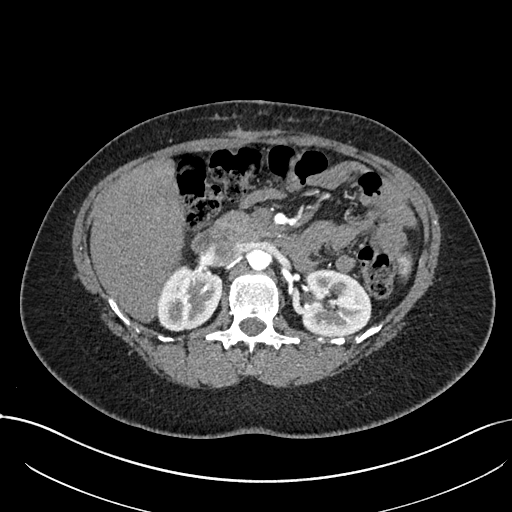
Arterial-phase contrast-enhanced abdominal CT, axial slice 455 of 738 (counted from the lowest slice); tube voltage 120 kVp, convolution kernel I30f; slices 1.00 mm thick, 0.789 mm per pixel.
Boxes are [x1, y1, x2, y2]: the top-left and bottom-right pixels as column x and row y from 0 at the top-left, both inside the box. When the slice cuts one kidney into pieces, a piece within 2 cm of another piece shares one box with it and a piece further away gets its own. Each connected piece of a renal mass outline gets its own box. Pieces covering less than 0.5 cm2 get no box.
Boxed on this slice (two kidney boxes), listed by box centre from the image's left to its right: (1) Box [157, 265, 222, 331]: right kidney (outlined area 3,229 px, about 20.1 cm2). (2) Left kidney at [301, 269, 371, 337] (outlined area 3,952 px, about 24.6 cm2). No renal mass is outlined on this slice.